Abdominal CT with intravenous contrast, axial plane, 120 kVp, kernel FC52. Slice 96/137 from the bottom of the scan; thickness 3.00 mm; pixel size 0.741 mm.
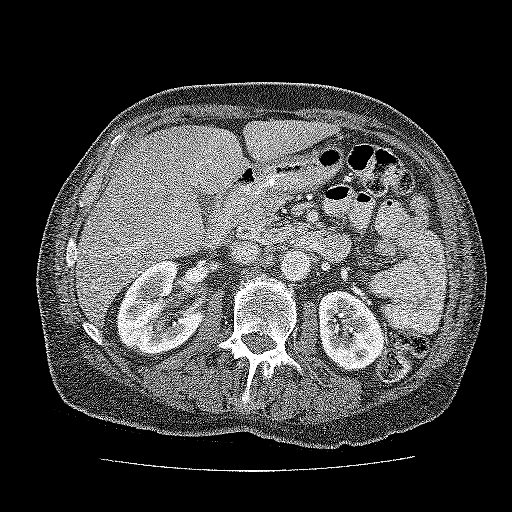
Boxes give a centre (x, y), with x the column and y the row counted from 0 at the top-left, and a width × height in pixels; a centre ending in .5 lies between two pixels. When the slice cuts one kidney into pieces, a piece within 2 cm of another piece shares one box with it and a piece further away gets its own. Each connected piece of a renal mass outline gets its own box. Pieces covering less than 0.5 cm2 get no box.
Two kidney boxes on this slice; by box centre, from the image's left to its right: (1) Box centre (160, 307.5), 89 × 98 pixels: kidney (outlined area 5,858 px, about 32.2 cm2). (2) Kidney, box centre (351.5, 330), 68 × 81 pixels (outlined area 4,177 px, about 22.9 cm2). No renal mass is outlined on this slice.